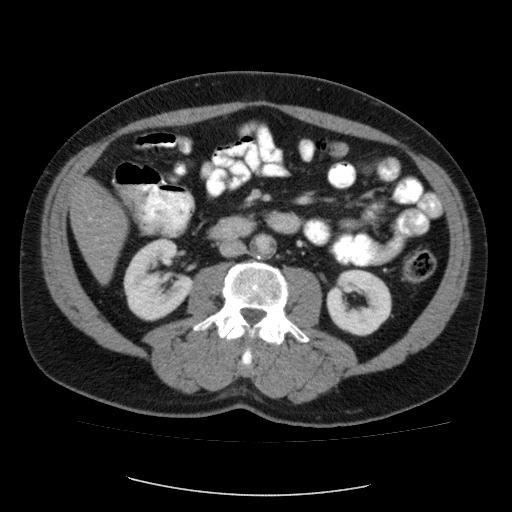
Axial slice 49 of 87 of a contrast-enhanced abdominal CT (slice 1 is the lowest), 120 kVp, kernel FC12; 5.00 mm slice thickness and 0.812 mm pixels.
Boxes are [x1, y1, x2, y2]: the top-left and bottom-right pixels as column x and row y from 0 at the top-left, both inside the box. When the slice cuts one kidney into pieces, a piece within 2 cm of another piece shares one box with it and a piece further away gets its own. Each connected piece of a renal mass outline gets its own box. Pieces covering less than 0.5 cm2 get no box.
Two kidney boxes on this slice; by box centre, from the image's left to its right: (1) Right kidney, box [123, 238, 193, 321] (outlined area 3,946 px, about 26.0 cm2). (2) Left kidney, box [326, 269, 392, 336] (outlined area 3,232 px, about 21.3 cm2). No renal mass outline on this slice.